One axial slice (371 of 735, counting up from the lowest) of an arterial-phase abdominal CT acquired with 120 kVp, kernel I30f; each pixel is 0.789 mm and the slice is 1.00 mm thick.
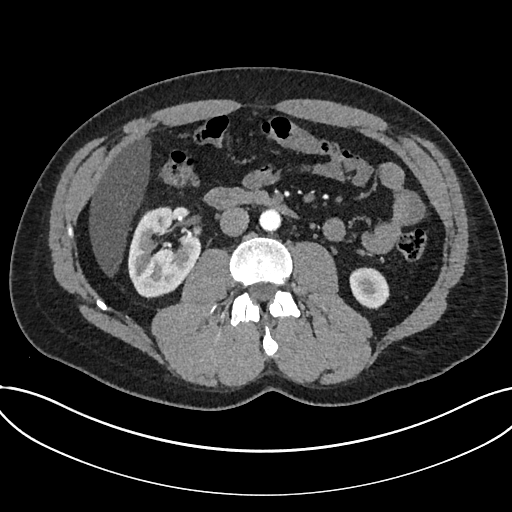
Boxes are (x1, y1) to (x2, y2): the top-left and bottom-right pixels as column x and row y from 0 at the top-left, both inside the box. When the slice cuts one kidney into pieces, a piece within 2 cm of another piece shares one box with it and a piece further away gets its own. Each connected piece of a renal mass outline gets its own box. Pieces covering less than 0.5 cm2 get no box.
Two kidney boxes on this slice; by box centre, from the image's left to its right: (1) Kidney, box (128, 206) to (200, 298) (outlined area 4,807 px, about 29.9 cm2). (2) Kidney, box (349, 267) to (389, 309) (outlined area 1,310 px, about 8.2 cm2).